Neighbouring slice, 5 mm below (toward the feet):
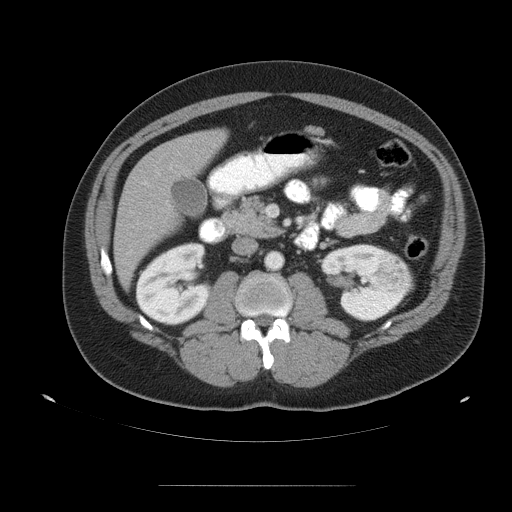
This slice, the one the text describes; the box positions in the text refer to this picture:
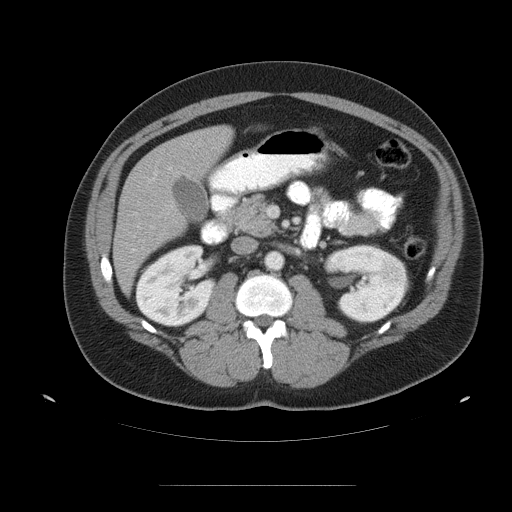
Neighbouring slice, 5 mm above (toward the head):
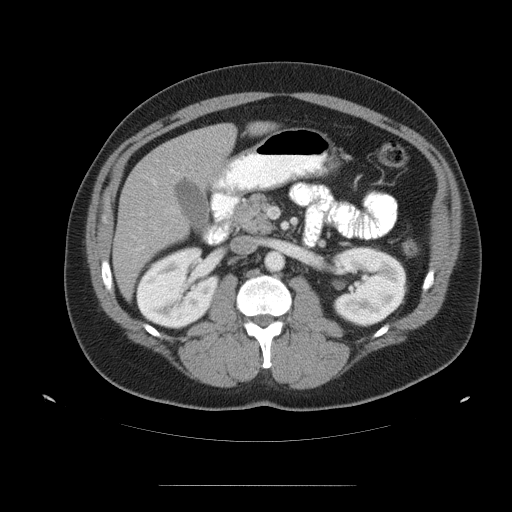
Axial slice 67 of 99 of a contrast-enhanced abdominal CT (slice 1 is the lowest), 120 kVp, kernel STANDARD; 5.00 mm slice thickness and 0.938 mm pixels.
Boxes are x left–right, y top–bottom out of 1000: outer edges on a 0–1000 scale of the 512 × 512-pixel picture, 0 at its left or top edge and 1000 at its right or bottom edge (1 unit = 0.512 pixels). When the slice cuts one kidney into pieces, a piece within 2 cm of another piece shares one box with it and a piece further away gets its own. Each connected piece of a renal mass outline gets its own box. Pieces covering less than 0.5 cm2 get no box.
Three boxes on this slice (two kidney boxes and one renal mass box), listed by box centre from the image's left to its right. (1) Right kidney, box x 264–424, y 477–641 out of 1000 (outlined area 4,997 px, about 43.9 cm2). (2) Left kidney at x 631–803, y 477–635 out of 1000 (outlined area 4,916 px, about 43.2 cm2). (3) Box x 748–777, y 531–559 out of 1000: left renal mass (outlined area 163 px, about 1.4 cm2). This slice is near the end of the left renal mass toward the head, so the slices 5 mm below and 5 mm above it are shown as well; the boxes refer to this slice only.